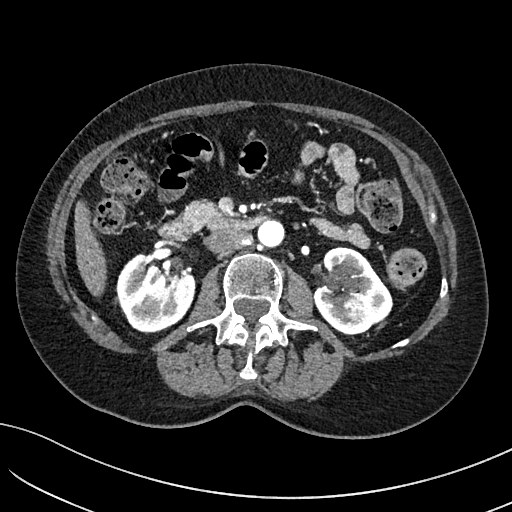
Arterial-phase contrast-enhanced abdominal CT, axial slice 57 of 234 (counted from the lowest slice); tube voltage 100 kVp, convolution kernel I40f; slices 2.00 mm thick, 0.699 mm per pixel.
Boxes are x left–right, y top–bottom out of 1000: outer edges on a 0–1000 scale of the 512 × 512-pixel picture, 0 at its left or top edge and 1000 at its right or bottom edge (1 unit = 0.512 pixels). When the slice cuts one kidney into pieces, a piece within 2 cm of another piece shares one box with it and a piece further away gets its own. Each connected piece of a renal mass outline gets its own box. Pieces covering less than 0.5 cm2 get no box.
Three boxes on this slice (two kidney boxes and one renal mass box), listed by box centre from the image's left to its right. (1) Box x 227–383, y 494–652 out of 1000: right kidney (outlined area 4,728 px, about 23.1 cm2). (2) Left kidney at x 605–770, y 480–654 out of 1000 (outlined area 3,911 px, about 19.1 cm2). (3) Left renal mass, box x 666–746, y 572–656 out of 1000 (outlined area 1,143 px, about 5.6 cm2).